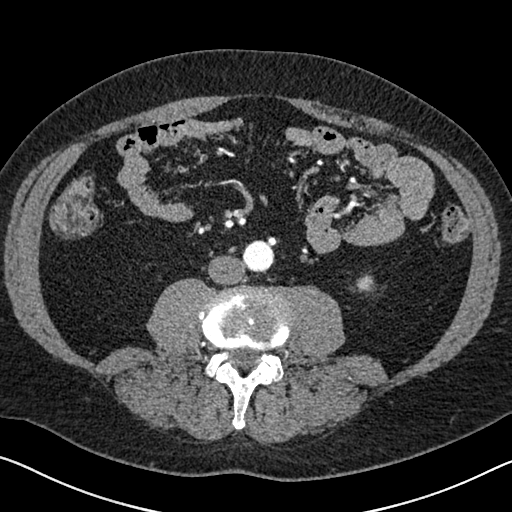
Abdominal CT with intravenous contrast, arterial phase, axial plane, 120 kVp, kernel I30f. Slice 277/626 from the bottom of the scan; thickness 1.00 mm; pixel size 0.703 mm.
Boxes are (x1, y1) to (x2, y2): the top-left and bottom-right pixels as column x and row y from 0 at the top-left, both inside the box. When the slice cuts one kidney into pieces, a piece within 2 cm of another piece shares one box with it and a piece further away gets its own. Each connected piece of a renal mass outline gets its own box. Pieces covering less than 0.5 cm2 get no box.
Left kidney from (356, 274) to (374, 292) (outlined area 267 px, about 1.3 cm2). No renal mass is outlined on this slice.